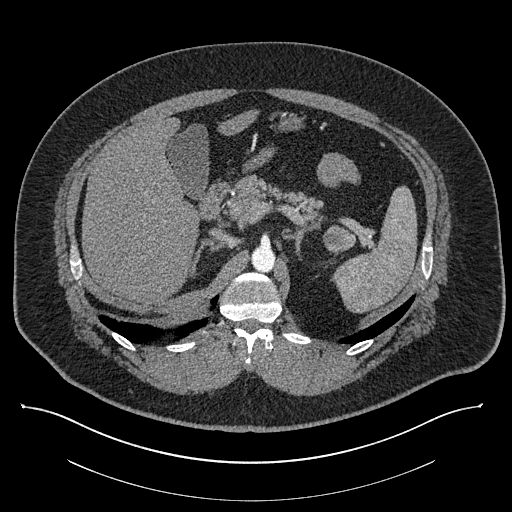
One axial slice (575 of 787, counting up from the lowest) of a contrast-enhanced abdominal CT acquired with 140 kVp, kernel I30f; each pixel is 0.910 mm and the slice is 1.00 mm thick.
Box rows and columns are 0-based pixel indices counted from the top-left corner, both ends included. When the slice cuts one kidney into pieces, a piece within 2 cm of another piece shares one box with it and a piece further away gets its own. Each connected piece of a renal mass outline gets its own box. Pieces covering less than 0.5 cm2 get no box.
Left renal mass, box rows 225–255, columns 323–355 (outlined area 714 px, about 5.9 cm2); no kidney outline appears on this slice, but the same outlined renal mass comes within 1 cm of the kidney on another slice.